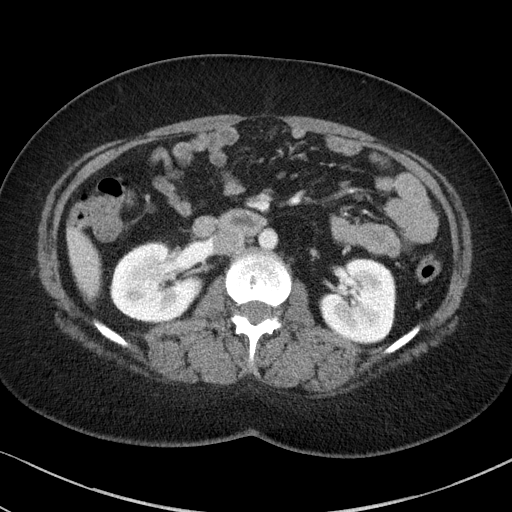
Axial slice 53 of 85 of a contrast-enhanced abdominal CT in the arterial phase (slice 1 is the lowest), 100 kVp, kernel I41f; 5.00 mm slice thickness and 0.664 mm pixels.
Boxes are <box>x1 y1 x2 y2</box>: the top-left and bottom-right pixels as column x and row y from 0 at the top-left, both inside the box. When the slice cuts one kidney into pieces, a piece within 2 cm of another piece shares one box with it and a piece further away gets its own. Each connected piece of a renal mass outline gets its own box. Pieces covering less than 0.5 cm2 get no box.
Two boxes on this slice (two kidney boxes), listed by box centre from the image's left to its right. (1) At <box>109 241 203 322</box>: right kidney (outlined area 5,660 px, about 25.0 cm2). (2) Left kidney at <box>319 258 396 344</box> (outlined area 5,149 px, about 22.7 cm2). No renal mass is outlined on this slice.